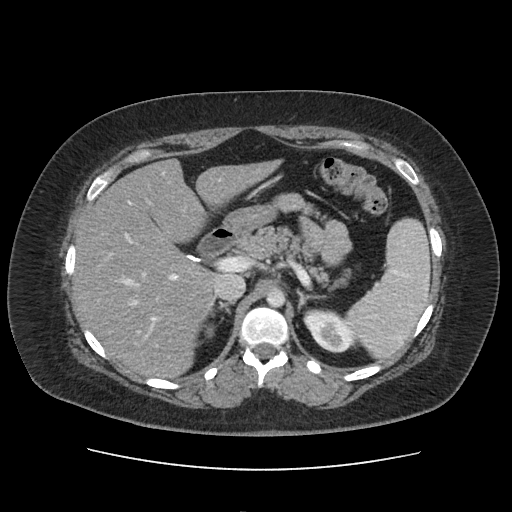
Axial slice 80 of 103 of a contrast-enhanced abdominal CT in the arterial phase (slice 1 is the lowest), 120 kVp, kernel FC19; 5.00 mm slice thickness and 0.873 mm pixels.
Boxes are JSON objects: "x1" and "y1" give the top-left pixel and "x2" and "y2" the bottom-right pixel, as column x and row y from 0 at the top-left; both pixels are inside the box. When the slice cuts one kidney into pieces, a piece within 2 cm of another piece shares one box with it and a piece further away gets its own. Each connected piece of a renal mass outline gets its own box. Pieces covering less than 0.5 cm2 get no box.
Left kidney at {"x1": 304, "y1": 308, "x2": 353, "y2": 352} (outlined area 1,602 px, about 12.2 cm2). This slice carries no renal mass outline.